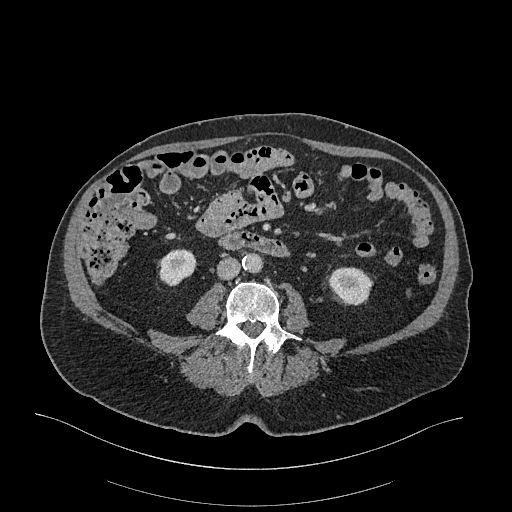
Arterial-phase contrast-enhanced abdominal CT, axial slice 79 of 470 (counted from the lowest slice); tube voltage 120 kVp, convolution kernel I26f; slices 1.00 mm thick, 0.938 mm per pixel.
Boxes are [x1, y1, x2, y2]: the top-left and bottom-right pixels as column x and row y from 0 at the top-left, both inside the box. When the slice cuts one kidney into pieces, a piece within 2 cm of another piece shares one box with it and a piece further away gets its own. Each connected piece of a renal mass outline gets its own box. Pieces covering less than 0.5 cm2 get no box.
Two boxes on this slice (two kidney boxes), listed by box centre from the image's left to its right. (1) Box [158, 249, 196, 286]: right kidney (outlined area 1,067 px, about 9.4 cm2). (2) Left kidney, box [327, 267, 373, 305] (outlined area 1,304 px, about 11.5 cm2). No renal mass outline on this slice.